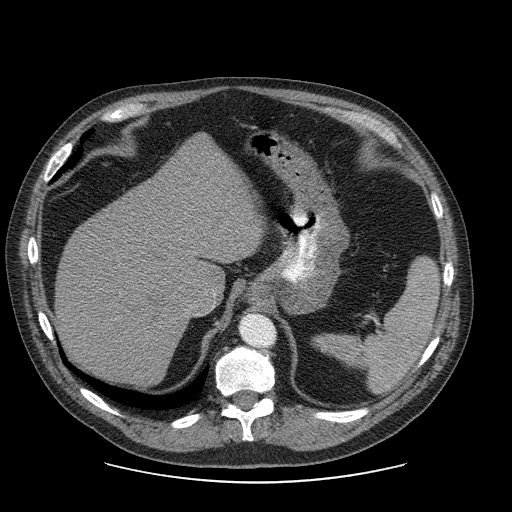
Contrast-enhanced abdominal CT, axial slice 76 of 103 (counted from the lowest slice); tube voltage 120 kVp, convolution kernel STANDARD; slices 2.50 mm thick, 0.820 mm per pixel.
This slice carries no outline: it lies beyond the outlined kidneys and beyond every outlined renal mass. Other organs are not outlined in this scan.